One axial slice (72 of 146, counting up from the lowest) of a contrast-enhanced abdominal CT acquired with 120 kVp, kernel B31f; each pixel is 0.742 mm and the slice is 5.00 mm thick.
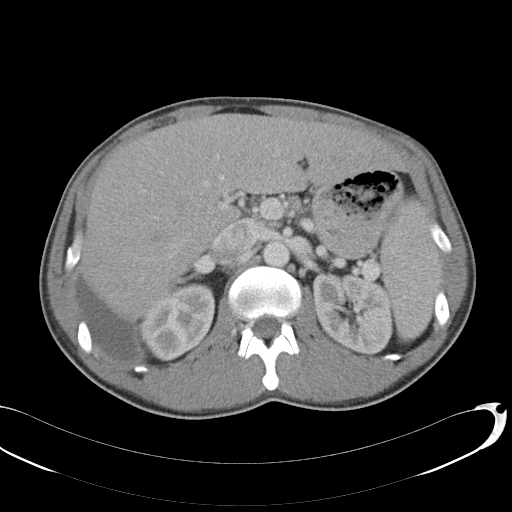
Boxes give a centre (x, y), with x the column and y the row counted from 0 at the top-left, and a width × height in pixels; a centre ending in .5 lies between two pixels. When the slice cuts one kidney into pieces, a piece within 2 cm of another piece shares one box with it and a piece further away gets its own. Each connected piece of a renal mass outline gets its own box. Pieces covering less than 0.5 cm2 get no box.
Boxed on this slice (two kidney boxes), listed by box centre from the image's left to its right: (1) Right kidney in a box with centre (176.5, 322), 78 × 79 pixels (outlined area 4,387 px, about 24.2 cm2). (2) Left kidney in a box with centre (353, 313), 83 × 81 pixels (outlined area 5,275 px, about 29.1 cm2). No renal mass outline on this slice.